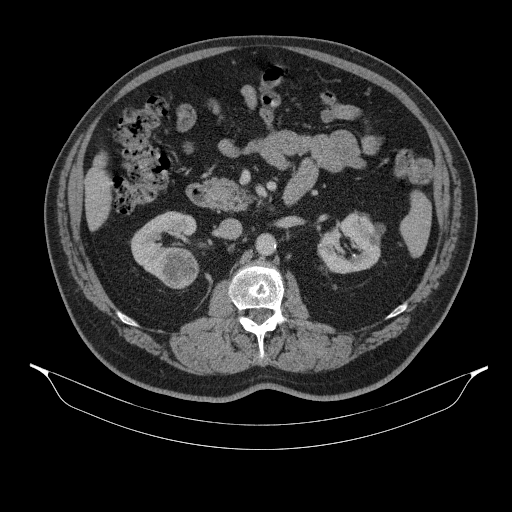
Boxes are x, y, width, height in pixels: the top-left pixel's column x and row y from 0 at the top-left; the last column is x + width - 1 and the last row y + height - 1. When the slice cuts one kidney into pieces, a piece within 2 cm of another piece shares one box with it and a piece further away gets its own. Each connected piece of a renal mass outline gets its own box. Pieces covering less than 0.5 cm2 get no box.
This is axial slice 201 of 314 (slice 1 is the lowest) of an abdominal CT with contrast; each pixel is 0.934 mm and the slice is 2.50 mm thick. Three boxes on this slice (two kidney boxes and one renal mass box), listed by box centre from the image's left to its right. (1) Right kidney at x 130, y 211, width 68, height 69 (outlined area 2,370 px, about 20.7 cm2). (2) Right renal mass, box x 158, y 247, width 41, height 42 (outlined area 1,345 px, about 11.7 cm2). (3) Left kidney at x 317, y 212, width 69, height 62 (outlined area 2,910 px, about 25.4 cm2).
Scan settings: 130 kVp, B31s reconstruction kernel.